Arterial-phase contrast-enhanced abdominal CT, axial slice 286 of 389 (counted from the lowest slice); tube voltage 120 kVp, convolution kernel STANDARD; slices 1.25 mm thick, 0.869 mm per pixel.
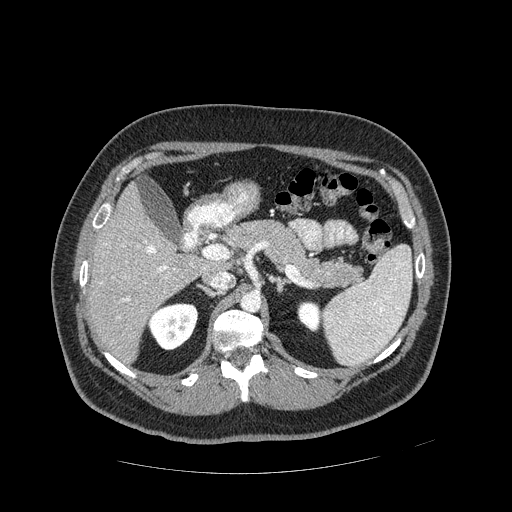
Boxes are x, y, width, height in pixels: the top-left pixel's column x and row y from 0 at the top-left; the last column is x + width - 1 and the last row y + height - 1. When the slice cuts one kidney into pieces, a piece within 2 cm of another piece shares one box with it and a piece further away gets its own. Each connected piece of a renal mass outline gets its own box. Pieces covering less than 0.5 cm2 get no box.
Two boxes on this slice (two kidney boxes), listed by box centre from the image's left to its right. (1) Right kidney, box x 147, y 302, width 52, height 49 (outlined area 1,838 px, about 13.9 cm2). (2) Box x 297, y 300, width 25, height 33: left kidney (outlined area 625 px, about 4.7 cm2). No renal mass outline on this slice.